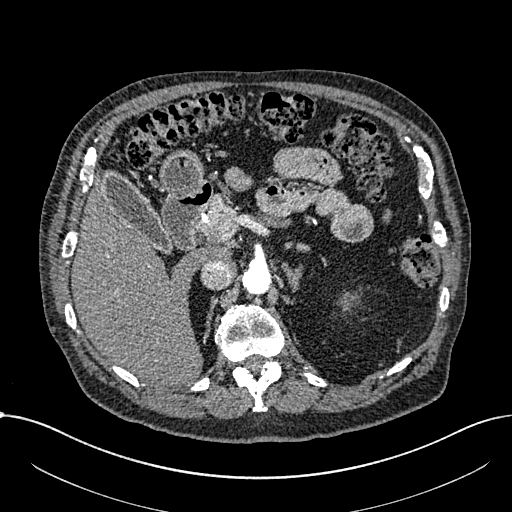
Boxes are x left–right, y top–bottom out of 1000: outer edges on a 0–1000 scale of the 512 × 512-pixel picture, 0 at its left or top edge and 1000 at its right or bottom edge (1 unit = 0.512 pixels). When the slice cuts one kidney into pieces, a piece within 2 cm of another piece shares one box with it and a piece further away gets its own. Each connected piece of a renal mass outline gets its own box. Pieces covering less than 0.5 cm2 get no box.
Arterial-phase contrast-enhanced abdominal CT, axial slice 473 of 1059 (counted from the lowest slice); 1.00 mm thick, 0.811 mm per pixel. Left part of the midline-crossing kidney at x 666–688, y 578–600 out of 1000 (outlined area 95 px, about 0.6 cm2). No renal mass outline on this slice.
Tube voltage 100 kVp; convolution kernel I30f.